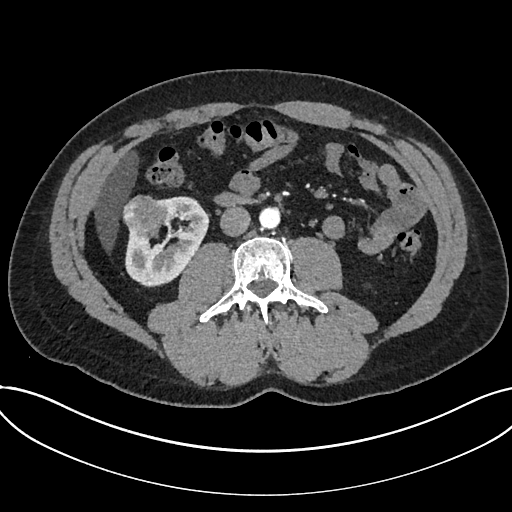
Arterial-phase contrast-enhanced abdominal CT, axial slice 349 of 735 (counted from the lowest slice); tube voltage 120 kVp, convolution kernel I30f; slices 1.00 mm thick, 0.789 mm per pixel.
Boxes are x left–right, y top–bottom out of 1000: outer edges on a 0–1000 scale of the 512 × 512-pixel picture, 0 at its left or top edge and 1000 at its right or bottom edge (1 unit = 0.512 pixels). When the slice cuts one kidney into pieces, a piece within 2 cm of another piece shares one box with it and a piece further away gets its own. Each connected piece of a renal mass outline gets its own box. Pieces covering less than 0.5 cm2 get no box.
Boxed on this slice (one kidney box and one renal mass box), listed by box centre from the image's left to its right: (1) Renal mass at x 238–332, y 381–465 out of 1000 (outlined area 1,517 px, about 9.4 cm2). (2) Kidney at x 244–408, y 383–563 out of 1000 (outlined area 4,434 px, about 27.6 cm2).